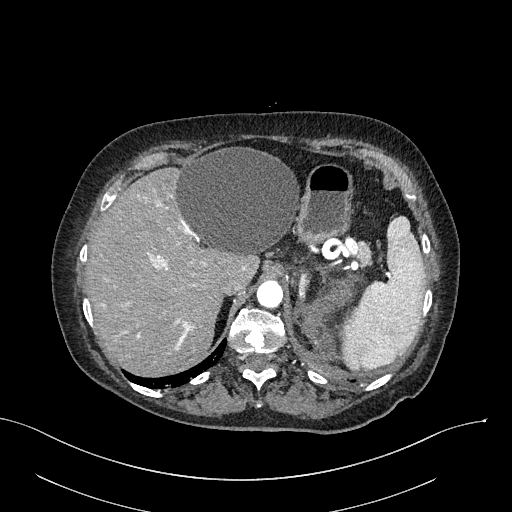
Axial slice 215 of 316 of a contrast-enhanced abdominal CT in the arterial phase (slice 1 is the lowest), 100 kVp, kernel I40f; 2.00 mm slice thickness and 0.840 mm pixels.
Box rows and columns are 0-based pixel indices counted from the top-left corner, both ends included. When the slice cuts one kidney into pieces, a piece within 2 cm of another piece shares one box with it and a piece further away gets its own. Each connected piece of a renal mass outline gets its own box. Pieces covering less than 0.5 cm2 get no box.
Left renal mass at rows 274–360, columns 298–361 (outlined area 2,637 px, about 18.6 cm2); this slice has no kidney outline, though on another slice the same outlined renal mass lies within 1 cm of the kidney.